One axial slice (500 of 705, counting up from the lowest) of an arterial-phase abdominal CT acquired with 120 kVp, kernel I30f; each pixel is 0.703 mm and the slice is 1.00 mm thick.
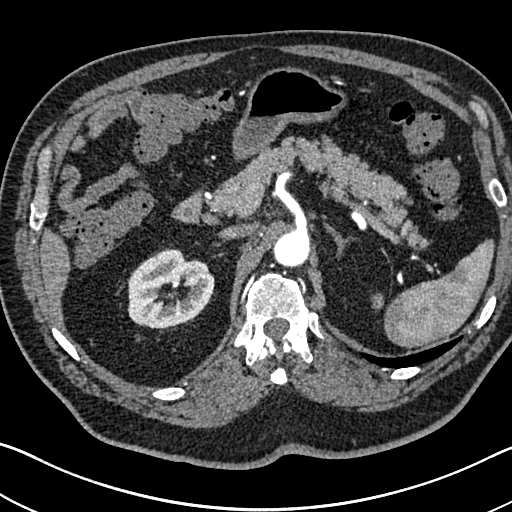
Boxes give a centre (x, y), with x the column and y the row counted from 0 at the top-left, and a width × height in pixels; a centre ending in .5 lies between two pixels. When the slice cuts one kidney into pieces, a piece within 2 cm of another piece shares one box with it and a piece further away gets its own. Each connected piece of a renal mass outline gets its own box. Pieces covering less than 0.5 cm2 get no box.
Box centre (170.5, 289.5), 88 × 82 pixels: right kidney (outlined area 5,139 px, about 25.4 cm2). No renal mass outline on this slice.